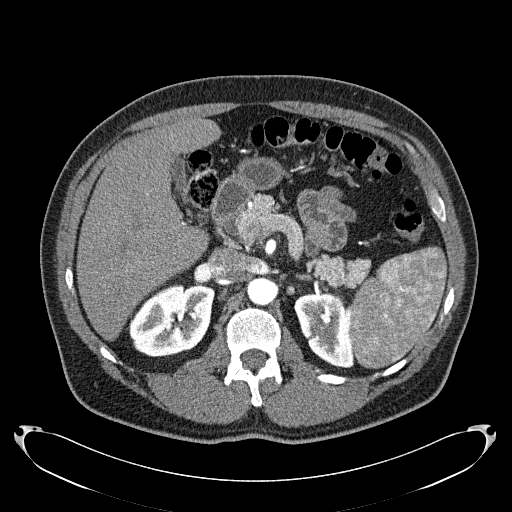
Axial slice 147 of 279 of a contrast-enhanced abdominal CT in the arterial phase (slice 1 is the lowest), 120 kVp, kernel B31f; 2.00 mm slice thickness and 0.824 mm pixels.
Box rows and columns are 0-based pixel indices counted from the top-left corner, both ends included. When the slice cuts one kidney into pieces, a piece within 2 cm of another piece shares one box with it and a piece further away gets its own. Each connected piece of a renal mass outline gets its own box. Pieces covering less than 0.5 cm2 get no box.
Two boxes on this slice (two kidney boxes), listed by box centre from the image's left to its right. (1) Right kidney, box rows 282–356, columns 128–214 (outlined area 4,769 px, about 32.4 cm2). (2) Left kidney, box rows 292–367, columns 294–352 (outlined area 3,255 px, about 22.1 cm2).